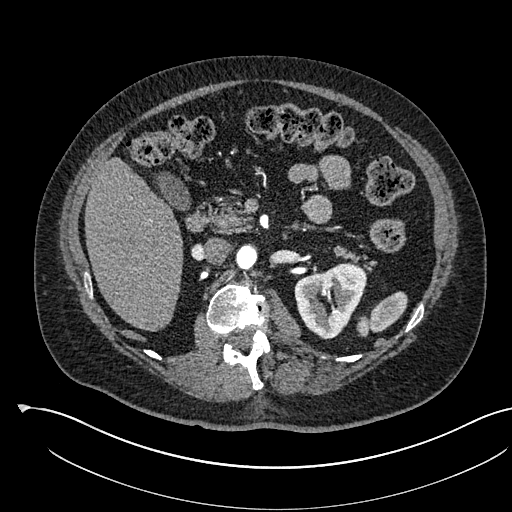
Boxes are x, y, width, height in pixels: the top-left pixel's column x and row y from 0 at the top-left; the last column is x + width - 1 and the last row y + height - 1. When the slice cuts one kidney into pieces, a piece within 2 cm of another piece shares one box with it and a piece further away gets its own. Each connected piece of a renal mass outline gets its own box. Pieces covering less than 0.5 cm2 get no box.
Slice 352/541 of a contrast-enhanced abdominal CT in the arterial phase, counting up from the lowest; pixel size 0.834 mm, slice thickness 1.00 mm. Left kidney, box x 294, y 262, width 73, height 78 (outlined area 3,793 px, about 26.4 cm2). No renal mass outline on this slice.
Tube voltage 120 kVp; convolution kernel I30f.